Contrast-enhanced abdominal CT, axial slice 36 of 69 (counted from the lowest slice); tube voltage 140 kVp, convolution kernel I41f; slices 3.00 mm thick, 0.736 mm per pixel.
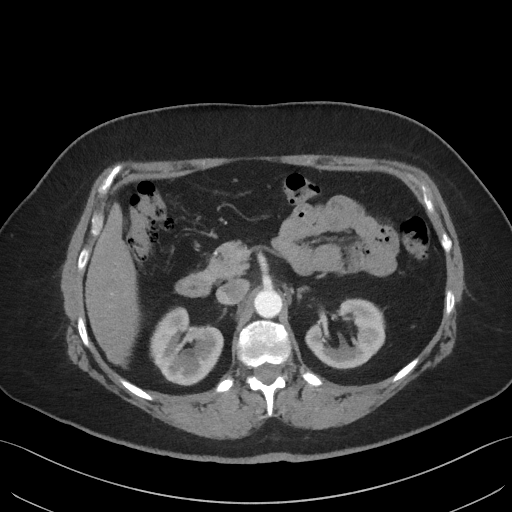
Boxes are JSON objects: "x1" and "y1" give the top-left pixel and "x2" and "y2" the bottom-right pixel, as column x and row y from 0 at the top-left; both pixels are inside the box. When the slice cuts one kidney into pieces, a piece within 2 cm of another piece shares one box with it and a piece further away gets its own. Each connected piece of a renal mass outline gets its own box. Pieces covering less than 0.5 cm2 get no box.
Boxed on this slice (two kidney boxes), listed by box centre from the image's left to its right: (1) Right kidney, box {"x1": 150, "y1": 306, "x2": 223, "y2": 382} (outlined area 3,954 px, about 21.4 cm2). (2) Left kidney, box {"x1": 305, "y1": 298, "x2": 385, "y2": 369} (outlined area 3,644 px, about 19.8 cm2). This slice carries no renal mass outline.